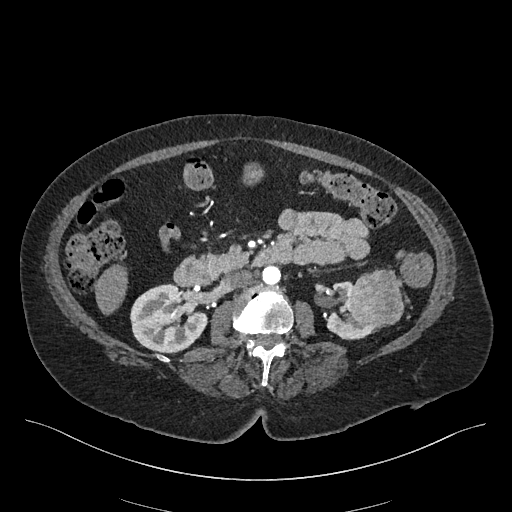
Abdominal CT with intravenous contrast, arterial phase, axial plane, 120 kVp, kernel I26f. Slice 240/548 from the bottom of the scan; thickness 1.00 mm; pixel size 0.852 mm.
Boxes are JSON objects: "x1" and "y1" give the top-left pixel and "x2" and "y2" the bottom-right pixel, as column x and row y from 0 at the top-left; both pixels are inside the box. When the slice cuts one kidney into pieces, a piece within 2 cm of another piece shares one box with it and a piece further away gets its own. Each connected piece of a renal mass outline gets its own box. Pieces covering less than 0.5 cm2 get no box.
Two kidney boxes and one renal mass box on this slice; by box centre, from the image's left to its right: (1) Right kidney at {"x1": 130, "y1": 283, "x2": 207, "y2": 353} (outlined area 4,003 px, about 29.0 cm2). (2) Left kidney, box {"x1": 326, "y1": 281, "x2": 378, "y2": 340} (outlined area 1,463 px, about 10.6 cm2). (3) Left renal mass, box {"x1": 347, "y1": 269, "x2": 404, "y2": 328} (outlined area 2,661 px, about 19.3 cm2).